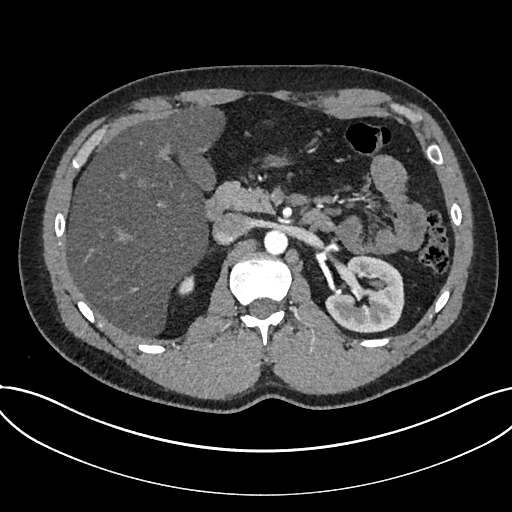
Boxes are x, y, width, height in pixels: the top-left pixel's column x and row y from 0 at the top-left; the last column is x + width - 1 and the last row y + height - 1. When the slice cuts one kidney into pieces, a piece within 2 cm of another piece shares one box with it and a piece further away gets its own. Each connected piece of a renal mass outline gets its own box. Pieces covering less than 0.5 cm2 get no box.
This is axial slice 473 of 735 (slice 1 is the lowest) of an arterial-phase abdominal CT with contrast; each pixel is 0.789 mm and the slice is 1.00 mm thick. Boxed on this slice (two kidney boxes), listed by box centre from the image's left to its right: (1) Box x 178, y 275, width 17, height 22: kidney (outlined area 262 px, about 1.6 cm2). (2) Box x 325, y 254, width 80, height 80: kidney (outlined area 4,584 px, about 28.5 cm2). This slice carries no renal mass outline.
Scan settings: 120 kVp, I30f reconstruction kernel.